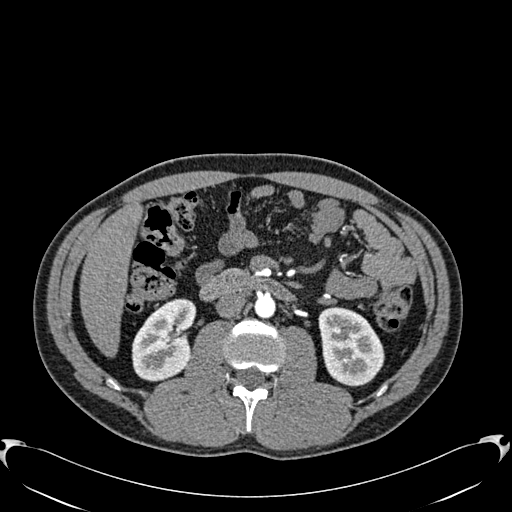
Abdominal CT with intravenous contrast, arterial phase, axial plane, 120 kVp, kernel B30f. Slice 324/512 from the bottom of the scan; thickness 1.00 mm; pixel size 0.771 mm.
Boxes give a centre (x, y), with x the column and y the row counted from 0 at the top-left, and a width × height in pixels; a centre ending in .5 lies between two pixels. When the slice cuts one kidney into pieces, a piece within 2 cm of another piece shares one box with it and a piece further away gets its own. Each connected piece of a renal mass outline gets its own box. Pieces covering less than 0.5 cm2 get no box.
Boxed on this slice (two kidney boxes), listed by box centre from the image's left to its right: (1) Box centre (164, 339), 65 × 83 pixels: right kidney (outlined area 3,912 px, about 23.3 cm2). (2) Left kidney in a box with centre (351, 346), 67 × 81 pixels (outlined area 4,011 px, about 23.9 cm2). This slice carries no renal mass outline.